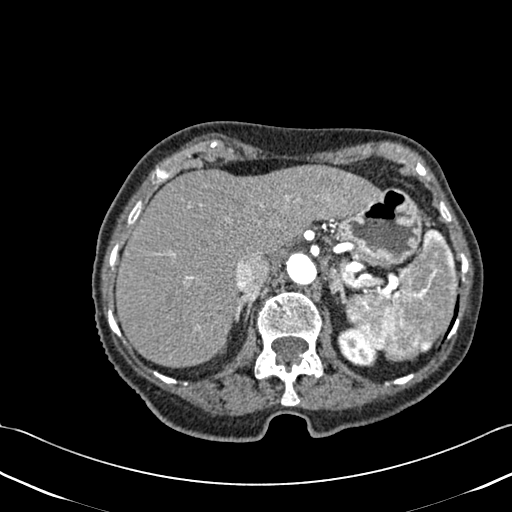
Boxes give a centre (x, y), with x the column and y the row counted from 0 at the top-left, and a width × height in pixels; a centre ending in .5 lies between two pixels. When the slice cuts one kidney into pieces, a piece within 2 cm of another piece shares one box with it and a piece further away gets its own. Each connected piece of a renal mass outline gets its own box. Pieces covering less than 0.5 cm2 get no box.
Contrast-enhanced abdominal CT, axial slice 337 of 433 (counted from the lowest slice); 1.00 mm thick, 0.672 mm per pixel. Left kidney in a box with centre (357.5, 346), 42 × 41 pixels (outlined area 1,165 px, about 5.3 cm2). No renal mass is outlined on this slice.
Tube voltage 120 kVp; convolution kernel B30f.